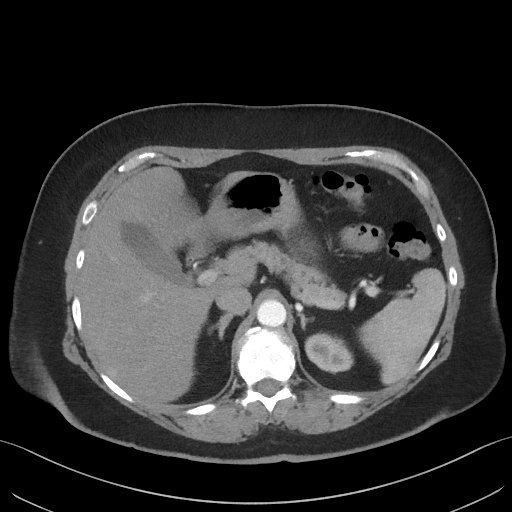
Contrast-enhanced abdominal CT, axial slice 46 of 69 (counted from the lowest slice); tube voltage 140 kVp, convolution kernel I41f; slices 3.00 mm thick, 0.736 mm per pixel.
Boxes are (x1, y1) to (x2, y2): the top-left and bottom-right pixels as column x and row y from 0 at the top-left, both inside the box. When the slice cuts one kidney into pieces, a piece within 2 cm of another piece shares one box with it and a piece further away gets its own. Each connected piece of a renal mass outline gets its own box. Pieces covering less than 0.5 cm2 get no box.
Box (304, 332) to (353, 374): left kidney (outlined area 1,519 px, about 8.2 cm2). No renal mass is outlined on this slice.